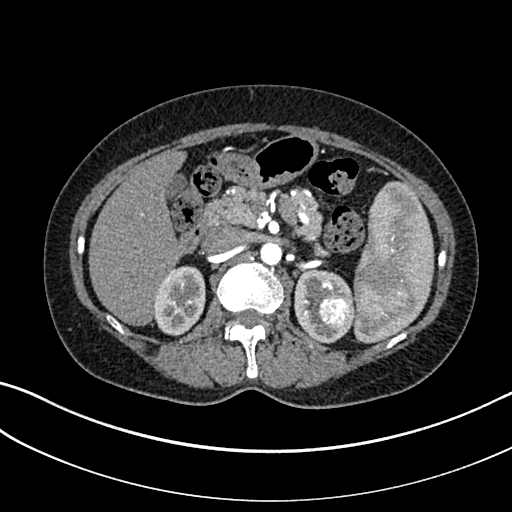
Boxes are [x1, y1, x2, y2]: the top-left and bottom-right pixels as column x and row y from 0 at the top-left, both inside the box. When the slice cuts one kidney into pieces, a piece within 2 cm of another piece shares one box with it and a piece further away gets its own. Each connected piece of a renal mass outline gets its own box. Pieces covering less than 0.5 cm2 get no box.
Arterial-phase contrast-enhanced abdominal CT, axial slice 203 of 325 (counted from the lowest slice); 1.00 mm thick, 0.703 mm per pixel. Boxed on this slice (two kidney boxes and one renal mass box), listed by box centre from the image's left to its right: (1) Right kidney at [152, 265, 205, 336] (outlined area 2,913 px, about 14.4 cm2). (2) Left kidney at [294, 267, 354, 343] (outlined area 2,680 px, about 13.2 cm2). (3) Left renal mass, box [317, 295, 351, 331] (outlined area 954 px, about 4.7 cm2).
Tube voltage 100 kVp; convolution kernel I30f.